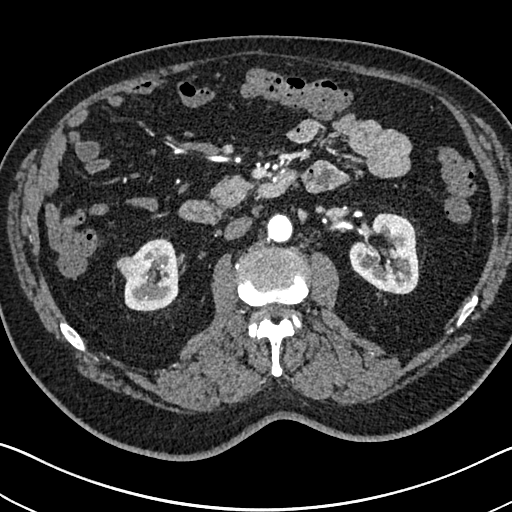
One axial slice (403 of 705, counting up from the lowest) of an arterial-phase abdominal CT acquired with 120 kVp, kernel I30f; each pixel is 0.703 mm and the slice is 1.00 mm thick.
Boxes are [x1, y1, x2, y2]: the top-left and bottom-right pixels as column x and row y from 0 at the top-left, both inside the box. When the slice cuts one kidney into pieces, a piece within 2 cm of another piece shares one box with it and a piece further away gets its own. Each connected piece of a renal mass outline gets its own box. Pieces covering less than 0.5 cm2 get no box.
Two kidney boxes and one renal mass box on this slice; by box centre, from the image's left to its right: (1) Right renal mass, box [116, 255, 149, 286] (outlined area 695 px, about 3.4 cm2). (2) Right kidney, box [124, 238, 178, 311] (outlined area 2,757 px, about 13.6 cm2). (3) Left kidney at [349, 213, 420, 294] (outlined area 4,131 px, about 20.4 cm2).